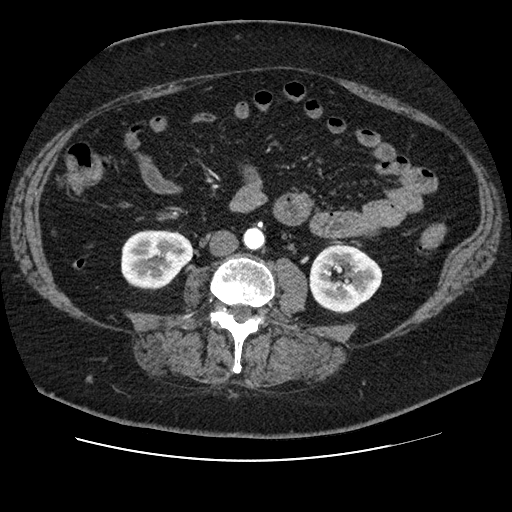
Axial slice 31 of 106 of a contrast-enhanced abdominal CT in the arterial phase (slice 1 is the lowest), 120 kVp, kernel STANDARD; 2.50 mm slice thickness and 0.742 mm pixels.
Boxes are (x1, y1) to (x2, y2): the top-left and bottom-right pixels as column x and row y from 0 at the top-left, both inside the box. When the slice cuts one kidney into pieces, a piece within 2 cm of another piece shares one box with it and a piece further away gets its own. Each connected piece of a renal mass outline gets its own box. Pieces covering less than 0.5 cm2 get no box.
Two kidney boxes on this slice; by box centre, from the image's left to its right: (1) Right kidney from (121, 230) to (193, 289) (outlined area 3,441 px, about 19.0 cm2). (2) Left kidney from (309, 242) to (382, 313) (outlined area 3,855 px, about 21.2 cm2). No renal mass outline on this slice.